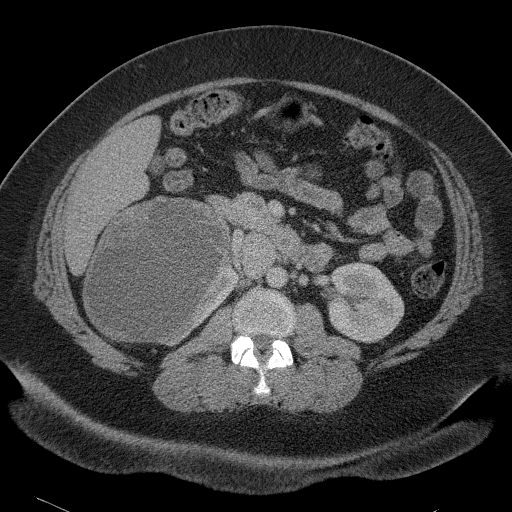
Abdominal CT with intravenous contrast, axial plane, 120 kVp, kernel B41f. Slice 59/90 from the bottom of the scan; thickness 5.00 mm; pixel size 0.781 mm.
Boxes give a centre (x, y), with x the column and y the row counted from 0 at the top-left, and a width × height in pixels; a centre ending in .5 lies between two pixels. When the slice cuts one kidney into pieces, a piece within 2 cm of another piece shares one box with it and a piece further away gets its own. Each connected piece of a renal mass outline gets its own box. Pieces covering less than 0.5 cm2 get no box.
Two kidney boxes and one renal mass box on this slice; by box centre, from the image's left to its right: (1) Right renal mass, box centre (156, 268.5), 147 × 148 pixels (outlined area 15,943 px, about 97.3 cm2). (2) Right kidney, box centre (198, 299), 81 × 95 pixels (outlined area 1,814 px, about 11.1 cm2). (3) Left kidney, box centre (365, 301.5), 79 × 84 pixels (outlined area 4,858 px, about 29.7 cm2).